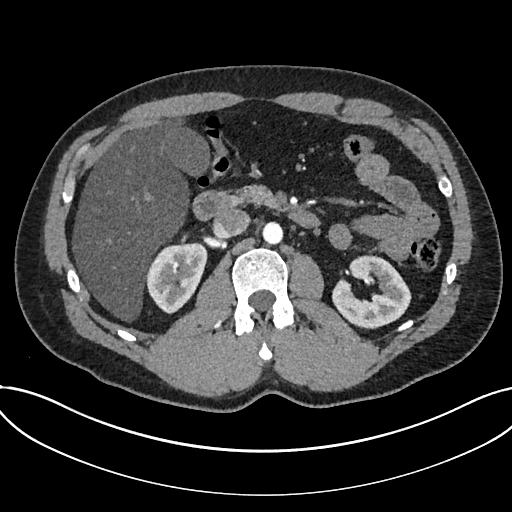
Arterial-phase contrast-enhanced abdominal CT, axial slice 431 of 735 (counted from the lowest slice); tube voltage 120 kVp, convolution kernel I30f; slices 1.00 mm thick, 0.789 mm per pixel.
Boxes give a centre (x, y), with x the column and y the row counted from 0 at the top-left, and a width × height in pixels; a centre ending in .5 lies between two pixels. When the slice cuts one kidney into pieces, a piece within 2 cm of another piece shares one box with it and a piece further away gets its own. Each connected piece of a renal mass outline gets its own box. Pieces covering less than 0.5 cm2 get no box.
Boxed on this slice (two kidney boxes), listed by box centre from the image's left to its right: (1) Kidney in a box with centre (176, 277.5), 63 × 72 pixels (outlined area 3,171 px, about 19.7 cm2). (2) Kidney, box centre (371.5, 291), 80 × 75 pixels (outlined area 3,876 px, about 24.1 cm2). No renal mass is outlined on this slice.